Arterial-phase contrast-enhanced abdominal CT, axial slice 480 of 723 (counted from the lowest slice); tube voltage 120 kVp, convolution kernel B30f; slices 1.00 mm thick, 0.895 mm per pixel.
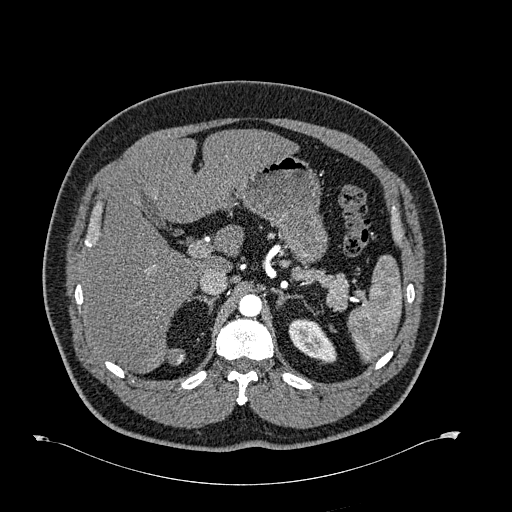
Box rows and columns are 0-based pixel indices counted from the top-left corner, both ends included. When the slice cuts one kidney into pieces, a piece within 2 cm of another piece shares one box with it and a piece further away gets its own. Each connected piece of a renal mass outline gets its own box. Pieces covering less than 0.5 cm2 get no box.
Left kidney, box rows 319–363, columns 288–336 (outlined area 1,412 px, about 11.3 cm2). This slice carries no renal mass outline.